Axial slice 32 of 301 of a contrast-enhanced abdominal CT (slice 1 is the lowest), 120 kVp, kernel I40f; 2.00 mm slice thickness and 0.859 mm pixels.
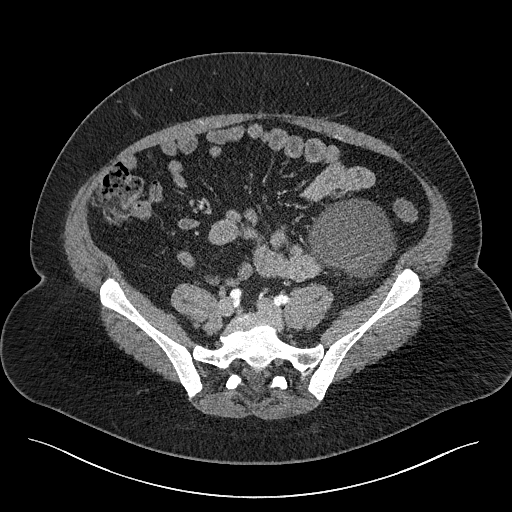
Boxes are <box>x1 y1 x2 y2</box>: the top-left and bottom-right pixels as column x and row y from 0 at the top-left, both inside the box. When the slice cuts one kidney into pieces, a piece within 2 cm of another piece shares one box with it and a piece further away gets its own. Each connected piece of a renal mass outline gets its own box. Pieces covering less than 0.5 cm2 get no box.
Left renal mass: <box>307 198 395 279</box> (outlined area 5,131 px, about 37.9 cm2); no kidney is outlined on this slice, but the same outlined renal mass comes within 1 cm of the kidney on another slice.